Abdominal CT with intravenous contrast, arterial phase, axial plane, 120 kVp, kernel I30f. Slice 444/612 from the bottom of the scan; thickness 1.00 mm; pixel size 0.703 mm.
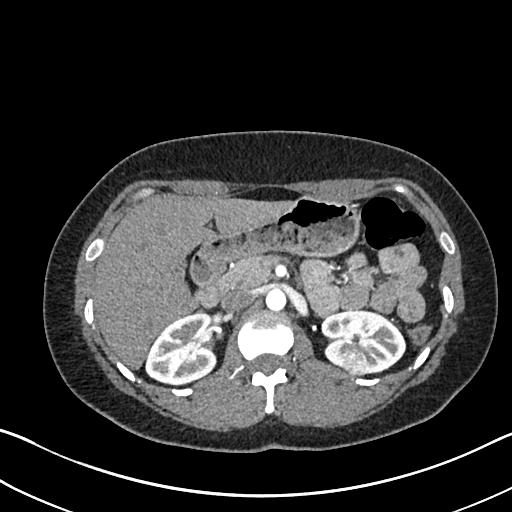
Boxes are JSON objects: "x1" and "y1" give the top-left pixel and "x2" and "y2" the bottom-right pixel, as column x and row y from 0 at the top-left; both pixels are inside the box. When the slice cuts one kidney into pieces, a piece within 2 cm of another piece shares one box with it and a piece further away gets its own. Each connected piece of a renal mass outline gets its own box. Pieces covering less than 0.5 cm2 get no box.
Boxed on this slice (two kidney boxes and one renal mass box), listed by box centre from the image's left to its right: (1) Box {"x1": 145, "y1": 312, "x2": 217, "y2": 385}: right kidney (outlined area 3,980 px, about 19.7 cm2). (2) Left renal mass, box {"x1": 342, "y1": 349, "x2": 368, "y2": 375} (outlined area 572 px, about 2.8 cm2). (3) Box {"x1": 321, "y1": 309, "x2": 406, "y2": 374}: left kidney (outlined area 3,787 px, about 18.7 cm2).